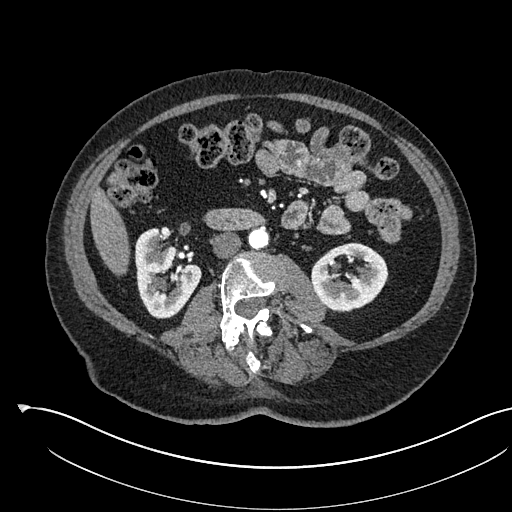
Abdominal CT with intravenous contrast, arterial phase, axial plane, 120 kVp, kernel I30f. Slice 281/541 from the bottom of the scan; thickness 1.00 mm; pixel size 0.834 mm.
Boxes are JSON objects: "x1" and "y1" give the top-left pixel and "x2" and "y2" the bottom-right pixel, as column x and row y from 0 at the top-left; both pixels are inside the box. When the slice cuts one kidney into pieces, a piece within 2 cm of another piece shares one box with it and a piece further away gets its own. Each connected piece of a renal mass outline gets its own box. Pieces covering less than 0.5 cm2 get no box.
Two kidney boxes on this slice; by box centre, from the image's left to its right: (1) Box {"x1": 134, "y1": 227, "x2": 201, "y2": 318}: right kidney (outlined area 4,078 px, about 28.4 cm2). (2) Left kidney, box {"x1": 311, "y1": 242, "x2": 388, "y2": 312} (outlined area 3,818 px, about 26.6 cm2). This slice carries no renal mass outline.